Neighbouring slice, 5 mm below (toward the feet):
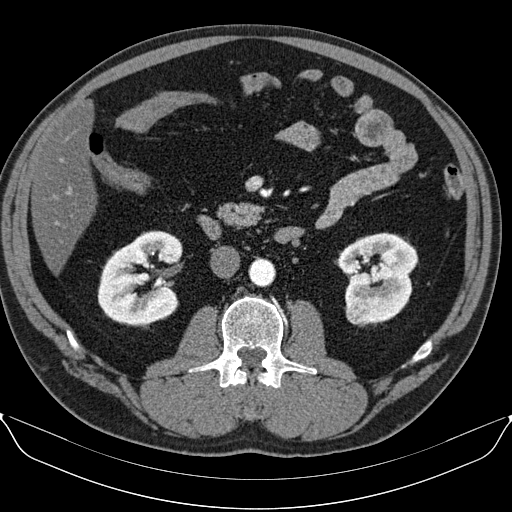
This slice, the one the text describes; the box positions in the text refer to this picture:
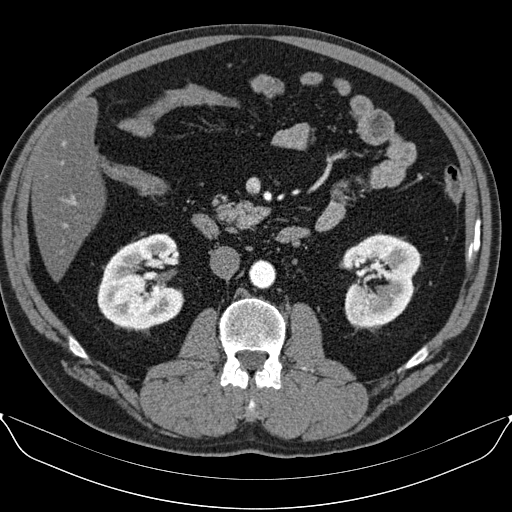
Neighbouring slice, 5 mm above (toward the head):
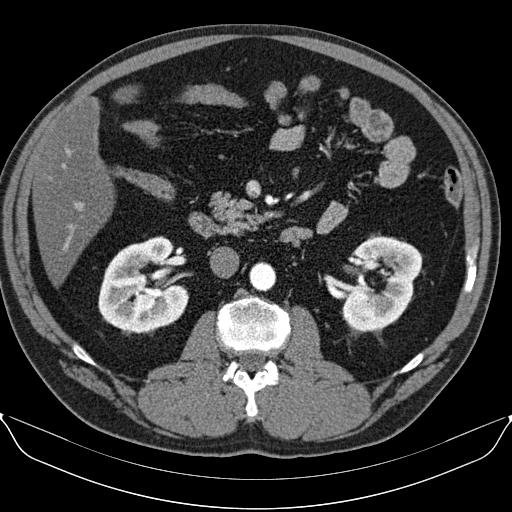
Arterial-phase contrast-enhanced abdominal CT, axial slice 46 of 96 (counted from the lowest slice); tube voltage 130 kVp, convolution kernel B30s; slices 3.00 mm thick, 0.781 mm per pixel.
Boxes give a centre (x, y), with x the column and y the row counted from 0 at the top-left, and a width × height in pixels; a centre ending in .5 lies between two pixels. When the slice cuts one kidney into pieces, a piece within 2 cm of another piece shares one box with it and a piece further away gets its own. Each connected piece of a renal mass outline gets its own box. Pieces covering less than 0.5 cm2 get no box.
Two kidney boxes and one renal mass box on this slice; by box centre, from the image's left to its right: (1) Box centre (140, 281), 87 × 97 pixels: right kidney (outlined area 6,226 px, about 38.0 cm2). (2) Left renal mass, box centre (352.5, 318), 12 × 11 pixels (outlined area 104 px, about 0.6 cm2). (3) Left kidney in a box with centre (381, 281), 79 × 95 pixels (outlined area 5,434 px, about 33.2 cm2). This slice lies near the end of the left renal mass toward the head; the slices 5 mm below and 5 mm above it are shown too, and the boxes mark positions on this slice only.